One axial slice (418 of 665, counting up from the lowest) of an arterial-phase abdominal CT acquired with 100 kVp, kernel I26f; each pixel is 0.828 mm and the slice is 1.00 mm thick.
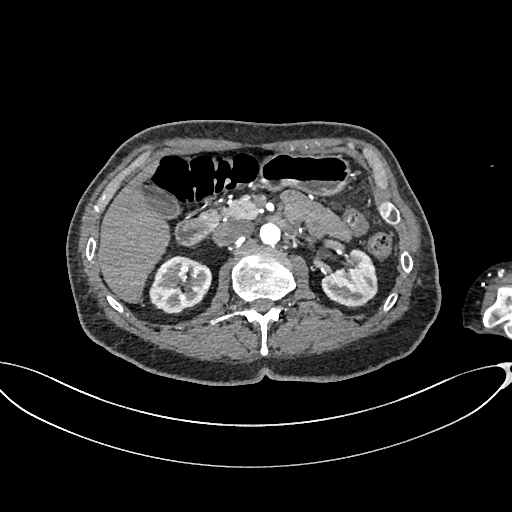
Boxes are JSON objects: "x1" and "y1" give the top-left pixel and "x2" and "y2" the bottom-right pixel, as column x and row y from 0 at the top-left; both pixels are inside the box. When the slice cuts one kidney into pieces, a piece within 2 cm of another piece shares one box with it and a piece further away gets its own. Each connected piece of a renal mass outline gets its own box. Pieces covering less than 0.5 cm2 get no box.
Two boxes on this slice (two kidney boxes), listed by box centre from the image's left to its right. (1) Box {"x1": 149, "y1": 255, "x2": 212, "y2": 314}: right kidney (outlined area 2,756 px, about 18.9 cm2). (2) Box {"x1": 321, "y1": 249, "x2": 377, "y2": 307}: left kidney (outlined area 2,307 px, about 15.8 cm2). This slice carries no renal mass outline.